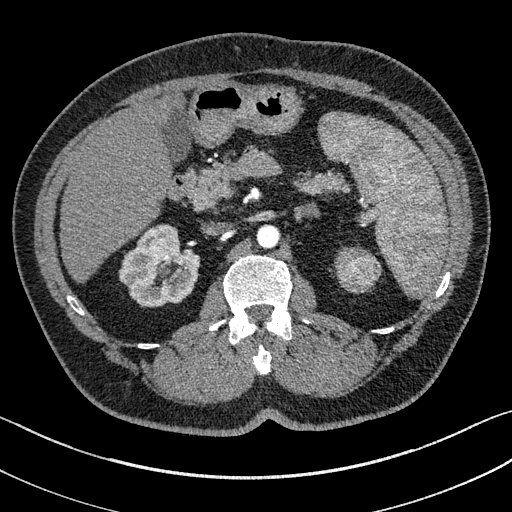
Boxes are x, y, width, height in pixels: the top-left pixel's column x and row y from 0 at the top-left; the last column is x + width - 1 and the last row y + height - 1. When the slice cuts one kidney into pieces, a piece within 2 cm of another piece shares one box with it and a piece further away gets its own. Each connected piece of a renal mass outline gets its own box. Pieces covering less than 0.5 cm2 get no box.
This is axial slice 96 of 195 (slice 1 is the lowest) of an arterial-phase abdominal CT with contrast; each pixel is 0.707 mm and the slice is 1.50 mm thick. Boxed on this slice (one kidney box and one renal mass box), listed by box centre from the image's left to its right: (1) Right kidney at x 119, y 224, width 81, height 83 (outlined area 4,635 px, about 23.2 cm2). (2) Box x 335, y 247, width 47, height 46: left renal mass (outlined area 1,627 px, about 8.1 cm2); it sits over 1 cm from every kidney outline on this slice, but the same outlined renal mass comes within 1 cm of the kidney on another slice.
Scan settings: 100 kVp, I31f reconstruction kernel.